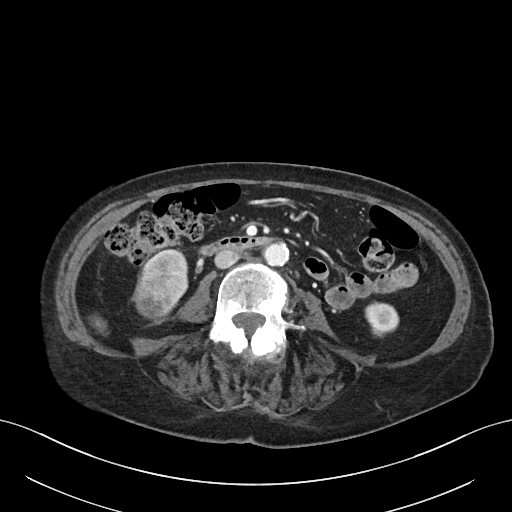
Axial slice 20 of 76 of a contrast-enhanced abdominal CT (slice 1 is the lowest), 100 kVp, kernel I40f; 3.00 mm slice thickness and 0.768 mm pixels.
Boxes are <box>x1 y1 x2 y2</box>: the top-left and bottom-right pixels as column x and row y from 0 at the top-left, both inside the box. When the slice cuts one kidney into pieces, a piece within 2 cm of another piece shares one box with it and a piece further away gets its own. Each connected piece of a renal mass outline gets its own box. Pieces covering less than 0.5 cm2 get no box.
Three boxes on this slice (two kidney boxes and one renal mass box), listed by box centre from the image's left to its right. (1) Right renal mass at <box>134 266 174 319</box> (outlined area 1,724 px, about 10.2 cm2). (2) Right kidney: <box>144 249 188 304</box> (outlined area 1,074 px, about 6.3 cm2). (3) Left kidney at <box>364 301 399 337</box> (outlined area 935 px, about 5.5 cm2).